Axial slice 251 of 349 of a contrast-enhanced abdominal CT in the arterial phase (slice 1 is the lowest), 120 kVp, kernel STANDARD; 1.25 mm slice thickness and 0.742 mm pixels.
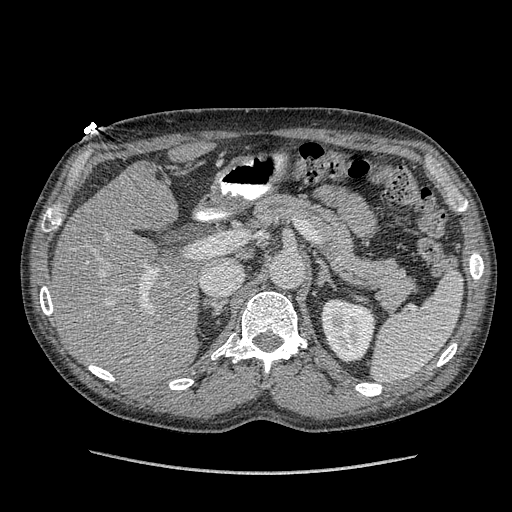
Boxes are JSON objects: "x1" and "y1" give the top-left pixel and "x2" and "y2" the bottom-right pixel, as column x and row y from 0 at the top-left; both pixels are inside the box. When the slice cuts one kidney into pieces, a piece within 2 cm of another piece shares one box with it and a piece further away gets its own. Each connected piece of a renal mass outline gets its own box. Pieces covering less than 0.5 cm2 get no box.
Left kidney, box {"x1": 320, "y1": 299, "x2": 375, "y2": 362} (outlined area 2,760 px, about 15.2 cm2). No renal mass is outlined on this slice.